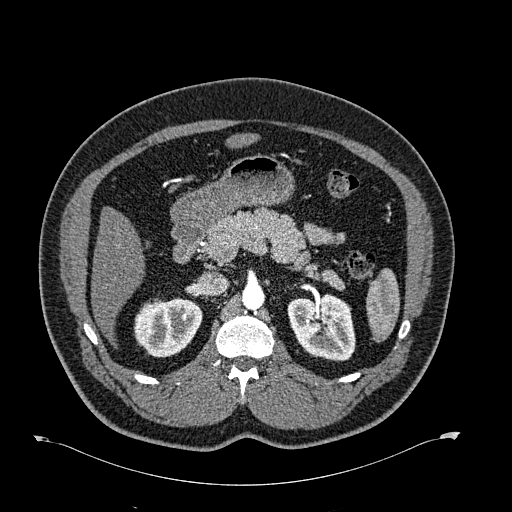
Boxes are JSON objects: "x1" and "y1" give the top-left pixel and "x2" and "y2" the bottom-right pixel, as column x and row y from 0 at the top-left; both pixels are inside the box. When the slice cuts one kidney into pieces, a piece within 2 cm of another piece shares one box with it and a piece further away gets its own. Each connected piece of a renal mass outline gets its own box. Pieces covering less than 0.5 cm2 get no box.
Arterial-phase contrast-enhanced abdominal CT, axial slice 419 of 723 (counted from the lowest slice); 1.00 mm thick, 0.895 mm per pixel. Boxed on this slice (two kidney boxes), listed by box centre from the image's left to its right: (1) Box {"x1": 134, "y1": 297, "x2": 202, "y2": 357}: right kidney (outlined area 3,200 px, about 25.6 cm2). (2) Left kidney, box {"x1": 287, "y1": 293, "x2": 355, "y2": 361} (outlined area 3,637 px, about 29.1 cm2). No renal mass outline on this slice.
Scan settings: 120 kVp, B30f reconstruction kernel.